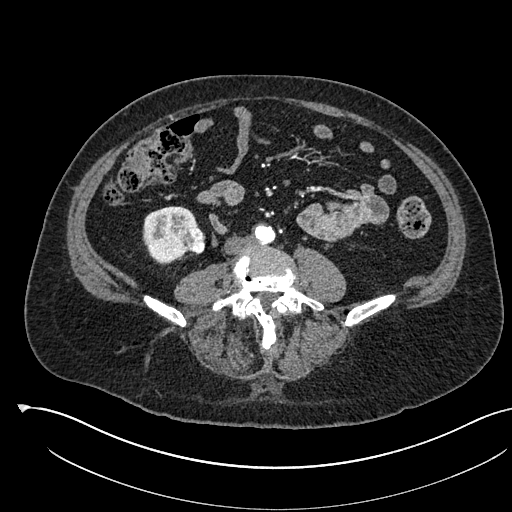
Arterial-phase contrast-enhanced abdominal CT, axial slice 201 of 541 (counted from the lowest slice); tube voltage 120 kVp, convolution kernel I30f; slices 1.00 mm thick, 0.834 mm per pixel.
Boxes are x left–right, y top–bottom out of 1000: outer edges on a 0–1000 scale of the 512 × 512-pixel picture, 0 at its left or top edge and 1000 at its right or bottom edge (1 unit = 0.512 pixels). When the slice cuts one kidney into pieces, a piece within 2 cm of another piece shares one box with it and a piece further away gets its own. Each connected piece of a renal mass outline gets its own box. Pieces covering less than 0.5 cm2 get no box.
One kidney box and one renal mass box on this slice; by box centre, from the image's left to its right: (1) Right kidney at x 277–391, y 402–518 out of 1000 (outlined area 2,307 px, about 16.0 cm2). (2) Box x 354–402, y 445–498 out of 1000: right renal mass (outlined area 510 px, about 3.5 cm2).